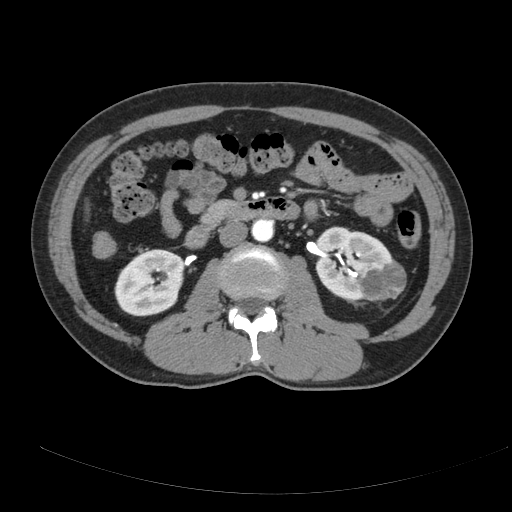
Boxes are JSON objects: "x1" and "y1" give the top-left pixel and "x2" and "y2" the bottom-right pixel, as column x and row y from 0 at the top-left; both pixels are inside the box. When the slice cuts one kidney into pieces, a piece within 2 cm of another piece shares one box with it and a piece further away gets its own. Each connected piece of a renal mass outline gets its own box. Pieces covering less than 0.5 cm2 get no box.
Contrast-enhanced abdominal CT, axial slice 103 of 178 (counted from the lowest slice); 3.00 mm thick, 0.818 mm per pixel. Two kidney boxes and one renal mass box on this slice; by box centre, from the image's left to its right: (1) Right kidney, box {"x1": 114, "y1": 249, "x2": 184, "y2": 316} (outlined area 3,722 px, about 24.9 cm2). (2) Box {"x1": 314, "y1": 226, "x2": 392, "y2": 300}: left kidney (outlined area 3,658 px, about 24.5 cm2). (3) Box {"x1": 360, "y1": 258, "x2": 406, "y2": 301}: left renal mass (outlined area 1,600 px, about 10.7 cm2).
Acquired at 120 kVp and reconstructed with the B kernel.